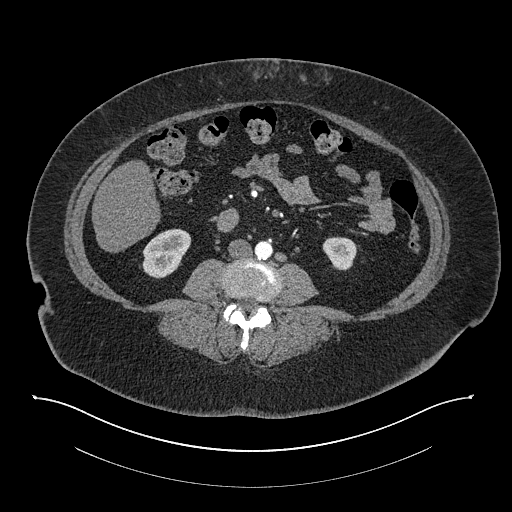
Axial slice 358 of 673 of a contrast-enhanced abdominal CT in the arterial phase (slice 1 is the lowest), 140 kVp, kernel I30f; 1.00 mm slice thickness and 0.957 mm pixels.
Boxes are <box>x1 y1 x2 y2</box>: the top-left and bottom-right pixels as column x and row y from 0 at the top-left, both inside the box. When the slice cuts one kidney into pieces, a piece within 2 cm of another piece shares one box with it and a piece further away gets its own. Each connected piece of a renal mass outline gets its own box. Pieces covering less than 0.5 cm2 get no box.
Boxed on this slice (two kidney boxes), listed by box centre from the image's left to its right: (1) At <box>142 228 191 278</box>: right kidney (outlined area 1,756 px, about 16.1 cm2). (2) Left kidney: <box>322 236 356 270</box> (outlined area 893 px, about 8.2 cm2). No renal mass outline on this slice.